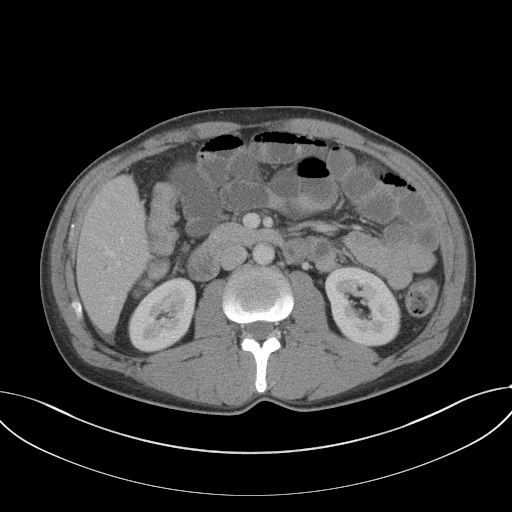
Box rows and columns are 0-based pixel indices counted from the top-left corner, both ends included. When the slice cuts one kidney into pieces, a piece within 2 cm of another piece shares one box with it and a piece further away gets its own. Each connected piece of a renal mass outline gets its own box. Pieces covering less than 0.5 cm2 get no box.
Contrast-enhanced abdominal CT, axial slice 62 of 102 (counted from the lowest slice); 5.00 mm thick, 0.807 mm per pixel. Boxed on this slice (two kidney boxes), listed by box centre from the image's left to its right: (1) Right kidney, box rows 277–352, columns 128–196 (outlined area 3,721 px, about 24.2 cm2). (2) Box rows 264–345, columns 324–401: left kidney (outlined area 4,652 px, about 30.3 cm2). No renal mass outline on this slice.
Scan settings: 120 kVp, B41f reconstruction kernel.